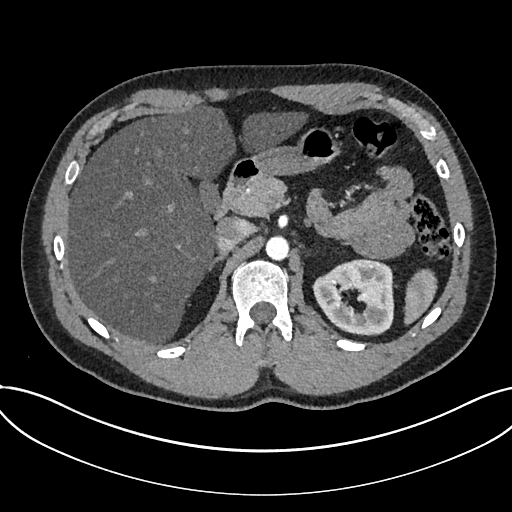
Abdominal CT with intravenous contrast, arterial phase, axial plane, 120 kVp, kernel I30f. Slice 500/735 from the bottom of the scan; thickness 1.00 mm; pixel size 0.789 mm.
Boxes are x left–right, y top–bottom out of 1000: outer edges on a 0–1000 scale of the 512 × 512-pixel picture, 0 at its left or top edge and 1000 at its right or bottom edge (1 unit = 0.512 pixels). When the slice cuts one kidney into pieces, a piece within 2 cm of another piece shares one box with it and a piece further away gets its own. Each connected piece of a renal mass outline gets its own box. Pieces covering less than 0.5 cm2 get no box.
Kidney, box x 609–771, y 506–656 out of 1000 (outlined area 4,742 px, about 29.5 cm2). No renal mass is outlined on this slice.